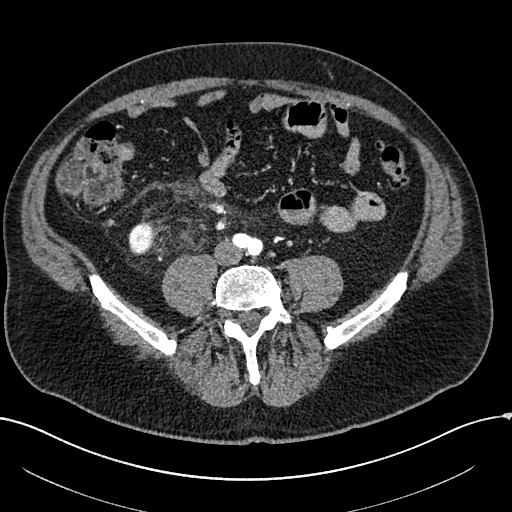
Arterial-phase contrast-enhanced abdominal CT, axial slice 24 of 304 (counted from the lowest slice); tube voltage 100 kVp, convolution kernel I30f; slices 2.00 mm thick, 0.809 mm per pixel.
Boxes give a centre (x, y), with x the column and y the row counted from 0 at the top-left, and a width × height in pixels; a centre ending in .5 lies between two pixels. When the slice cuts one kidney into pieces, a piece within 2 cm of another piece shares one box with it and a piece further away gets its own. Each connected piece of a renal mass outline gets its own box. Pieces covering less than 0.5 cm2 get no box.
Right kidney, box centre (140.5, 238.5), 26 × 34 pixels (outlined area 665 px, about 4.3 cm2).